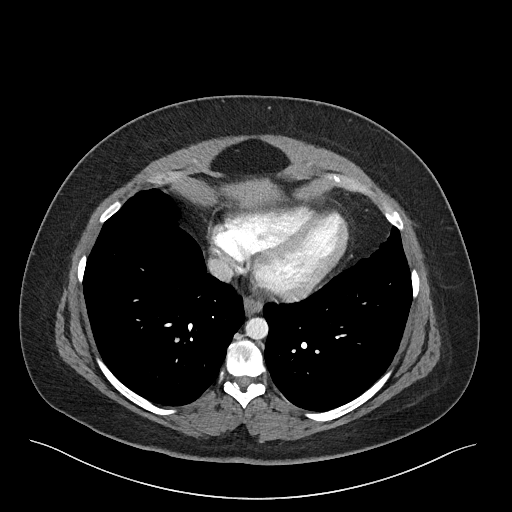
Contrast-enhanced abdominal CT, axial slice 260 of 301 (counted from the lowest slice); tube voltage 120 kVp, convolution kernel I40f; slices 2.00 mm thick, 0.859 mm per pixel.
Neither a kidney nor a renal mass is outlined here. Only kidneys and renal masses are outlined anywhere in this scan; other structures are never outlined.